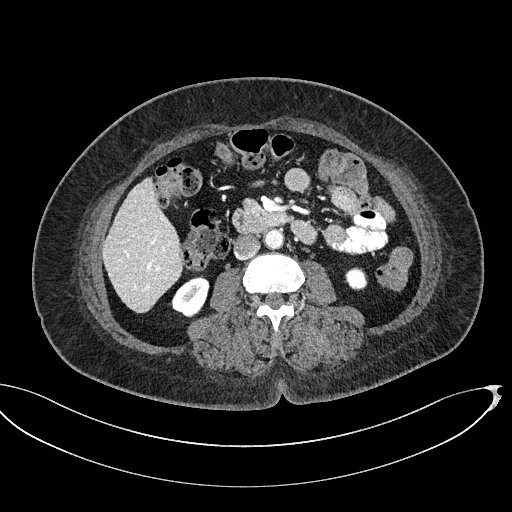
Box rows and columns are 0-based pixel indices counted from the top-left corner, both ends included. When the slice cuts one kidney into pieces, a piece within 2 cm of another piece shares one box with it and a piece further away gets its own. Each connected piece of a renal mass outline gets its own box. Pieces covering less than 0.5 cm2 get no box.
Contrast-enhanced abdominal CT, axial slice 264 of 439 (counted from the lowest slice); 2.00 mm thick, 0.850 mm per pixel. Two boxes on this slice (two kidney boxes), listed by box centre from the image's left to its right. (1) Right kidney, box rows 276–317, columns 170–209 (outlined area 1,102 px, about 8.0 cm2). (2) Box rows 267–290, columns 345–367: left kidney (outlined area 423 px, about 3.1 cm2). No renal mass outline on this slice.
Acquired at 100 kVp and reconstructed with the I40f kernel.